Arterial-phase contrast-enhanced abdominal CT, axial slice 243 of 532 (counted from the lowest slice); tube voltage 120 kVp, convolution kernel B30f; slices 1.00 mm thick, 0.713 mm per pixel.
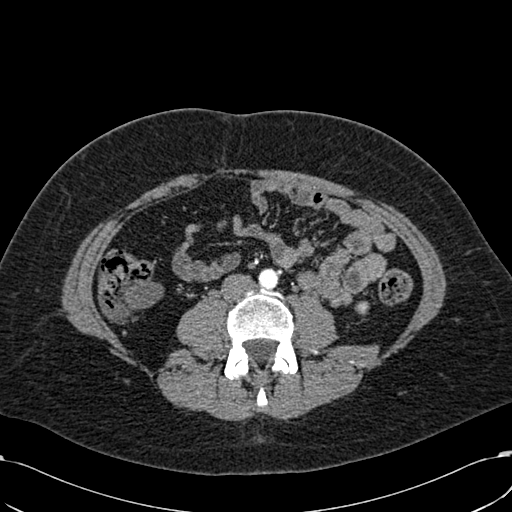
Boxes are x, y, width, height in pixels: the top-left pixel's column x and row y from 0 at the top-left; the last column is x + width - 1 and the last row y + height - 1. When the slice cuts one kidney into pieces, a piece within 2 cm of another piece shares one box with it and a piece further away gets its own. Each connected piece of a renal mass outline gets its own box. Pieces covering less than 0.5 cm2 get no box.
Left kidney at x 355, y 301, width 14, height 13 (outlined area 150 px, about 0.8 cm2). No renal mass outline on this slice.